Contrast-enhanced abdominal CT, axial slice 54 of 84 (counted from the lowest slice); tube voltage 140 kVp, convolution kernel STANDARD; slices 5.00 mm thick, 0.717 mm per pixel.
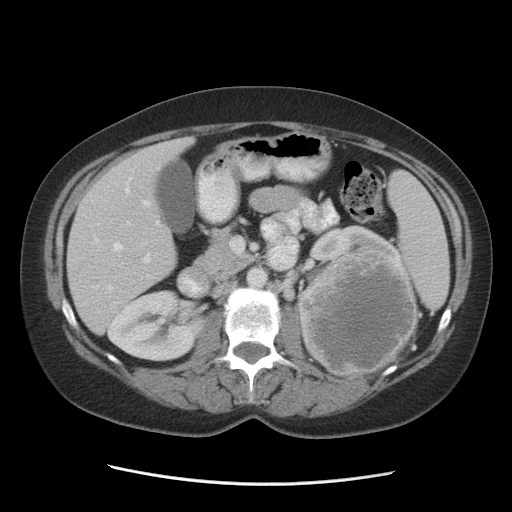
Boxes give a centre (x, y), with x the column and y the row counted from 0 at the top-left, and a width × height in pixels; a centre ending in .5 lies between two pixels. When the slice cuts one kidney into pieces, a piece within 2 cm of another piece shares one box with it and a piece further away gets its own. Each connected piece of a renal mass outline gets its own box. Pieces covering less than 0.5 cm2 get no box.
Two kidney boxes and one renal mass box on this slice; by box centre, from the image's left to its right: (1) Right kidney in a box with centre (149.5, 325.5), 88 × 72 pixels (outlined area 4,723 px, about 24.3 cm2). (2) Left kidney in a box with centre (354.5, 246), 92 × 45 pixels (outlined area 2,137 px, about 11.0 cm2). (3) Left renal mass, box centre (357.5, 313.5), 122 × 126 pixels (outlined area 11,968 px, about 61.5 cm2).